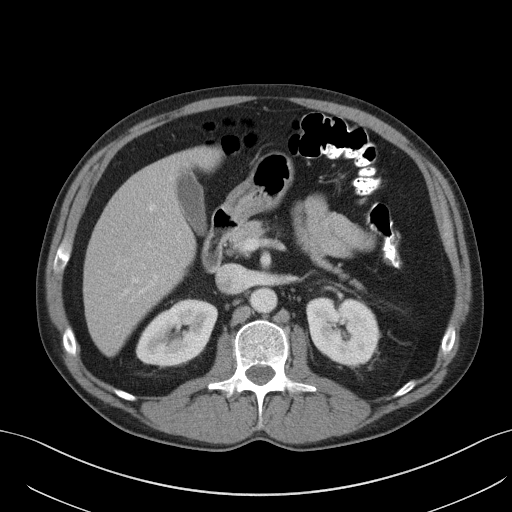
Axial slice 63 of 131 of a contrast-enhanced abdominal CT in the arterial phase (slice 1 is the lowest), 120 kVp, kernel B41f; 5.00 mm slice thickness and 0.760 mm pixels.
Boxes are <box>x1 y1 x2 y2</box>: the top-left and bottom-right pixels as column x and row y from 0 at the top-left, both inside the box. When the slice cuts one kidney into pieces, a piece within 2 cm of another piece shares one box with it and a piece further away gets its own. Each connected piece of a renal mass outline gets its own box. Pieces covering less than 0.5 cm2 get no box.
Two boxes on this slice (two kidney boxes), listed by box centre from the image's left to its right. (1) At <box>136 299 217 366</box>: right kidney (outlined area 3,891 px, about 22.5 cm2). (2) Left kidney at <box>306 296 379 366</box> (outlined area 3,999 px, about 23.1 cm2). No renal mass is outlined on this slice.